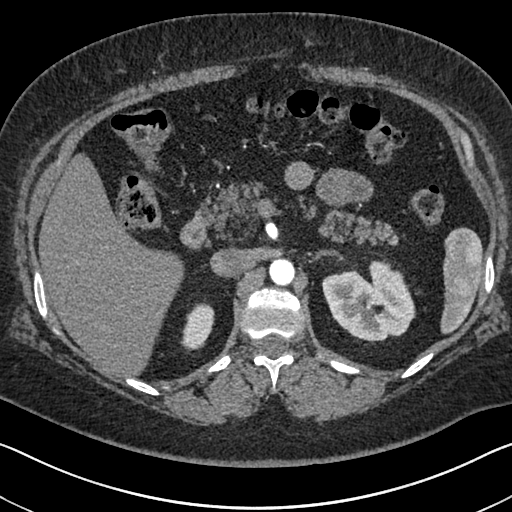
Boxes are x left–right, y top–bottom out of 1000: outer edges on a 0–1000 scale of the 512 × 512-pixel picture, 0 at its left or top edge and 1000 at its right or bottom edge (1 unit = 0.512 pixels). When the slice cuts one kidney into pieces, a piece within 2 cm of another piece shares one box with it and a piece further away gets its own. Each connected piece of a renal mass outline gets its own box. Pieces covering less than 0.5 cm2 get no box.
Slice 463/591 of a contrast-enhanced abdominal CT in the arterial phase, counting up from the lowest; pixel size 0.703 mm, slice thickness 1.00 mm. Boxed on this slice (two kidney boxes), listed by box centre from the image's left to its right: (1) Box x 352–420, y 592–688 out of 1000: right kidney (outlined area 1,159 px, about 5.7 cm2). (2) Left kidney at x 629–813, y 508–672 out of 1000 (outlined area 5,380 px, about 26.6 cm2). No renal mass outline on this slice.
Tube voltage 140 kVp; convolution kernel I30f.